One axial slice (102 of 137, counting up from the lowest) of a contrast-enhanced abdominal CT acquired with 120 kVp, kernel FC52; each pixel is 0.741 mm and the slice is 3.00 mm thick.
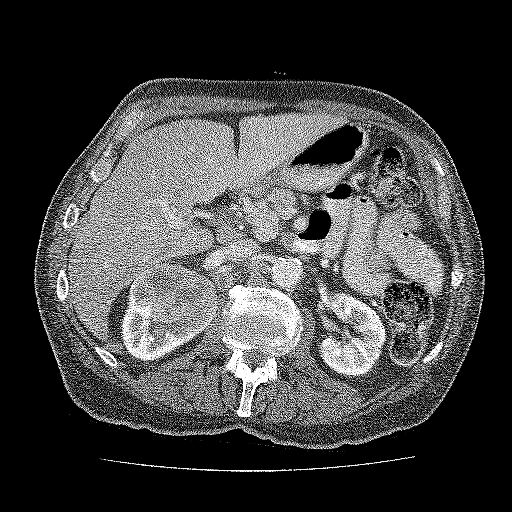
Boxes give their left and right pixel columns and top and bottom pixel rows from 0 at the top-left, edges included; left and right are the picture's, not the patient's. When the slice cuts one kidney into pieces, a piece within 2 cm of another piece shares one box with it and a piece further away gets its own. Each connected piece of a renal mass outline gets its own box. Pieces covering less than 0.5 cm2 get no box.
Two kidney boxes and one renal mass box on this slice; by box centre, from the image's left to its right: (1) Box with left 121, top 288, right 197, bottom 361: kidney (outlined area 2,275 px, about 12.5 cm2). (2) Renal mass in the box with left 130, top 263, right 218, bottom 337 (outlined area 4,865 px, about 26.7 cm2). (3) Kidney in the box with left 318, top 293, right 386, bottom 377 (outlined area 4,147 px, about 22.8 cm2).